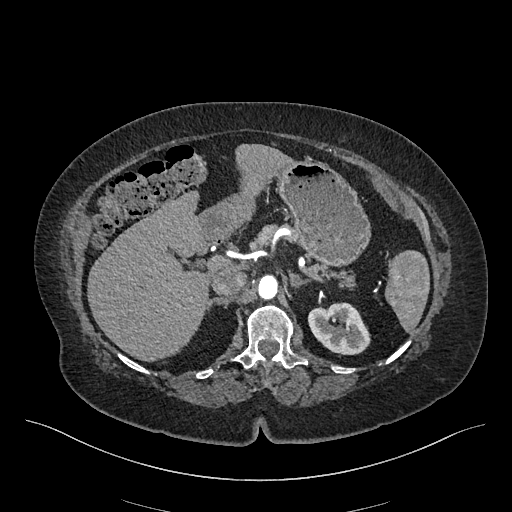
Abdominal CT with intravenous contrast, arterial phase, axial plane, 120 kVp, kernel I26f. Slice 323/548 from the bottom of the scan; thickness 1.00 mm; pixel size 0.852 mm.
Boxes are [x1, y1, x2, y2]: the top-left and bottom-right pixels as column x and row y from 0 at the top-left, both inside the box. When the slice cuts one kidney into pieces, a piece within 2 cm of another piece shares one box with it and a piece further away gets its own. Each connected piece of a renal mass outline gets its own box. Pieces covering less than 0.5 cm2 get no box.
Box [307, 302, 370, 354]: left kidney (outlined area 2,439 px, about 17.7 cm2). No renal mass outline on this slice.